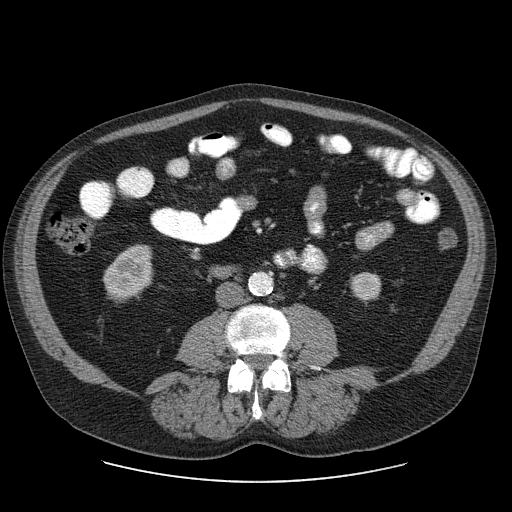
Abdominal CT with intravenous contrast, axial plane, 120 kVp, kernel STANDARD. Slice 17/103 from the bottom of the scan; thickness 2.50 mm; pixel size 0.820 mm.
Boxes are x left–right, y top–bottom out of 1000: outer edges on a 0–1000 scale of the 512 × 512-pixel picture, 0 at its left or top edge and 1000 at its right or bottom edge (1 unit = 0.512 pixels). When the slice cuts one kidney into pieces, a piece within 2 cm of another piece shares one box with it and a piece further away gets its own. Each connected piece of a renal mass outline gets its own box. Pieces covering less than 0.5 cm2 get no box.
Two boxes on this slice (two kidney boxes), listed by box centre from the image's left to its right. (1) Box x 201–299, y 479–588 out of 1000: right kidney (outlined area 2,048 px, about 13.8 cm2). (2) Left kidney, box x 684–746, y 531–590 out of 1000 (outlined area 757 px, about 5.1 cm2). No renal mass is outlined on this slice.